One axial slice (478 of 591, counting up from the lowest) of an arterial-phase abdominal CT acquired with 140 kVp, kernel I30f; each pixel is 0.703 mm and the slice is 1.00 mm thick.
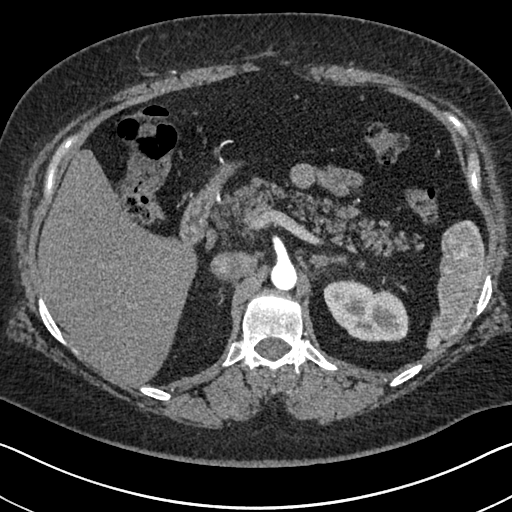
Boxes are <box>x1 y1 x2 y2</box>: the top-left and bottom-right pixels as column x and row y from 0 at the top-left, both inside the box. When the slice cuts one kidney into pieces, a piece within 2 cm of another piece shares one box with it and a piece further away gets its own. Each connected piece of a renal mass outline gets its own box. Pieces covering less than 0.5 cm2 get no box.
At <box>323 279 408 342</box>: left kidney (outlined area 3,929 px, about 19.4 cm2). No renal mass is outlined on this slice.